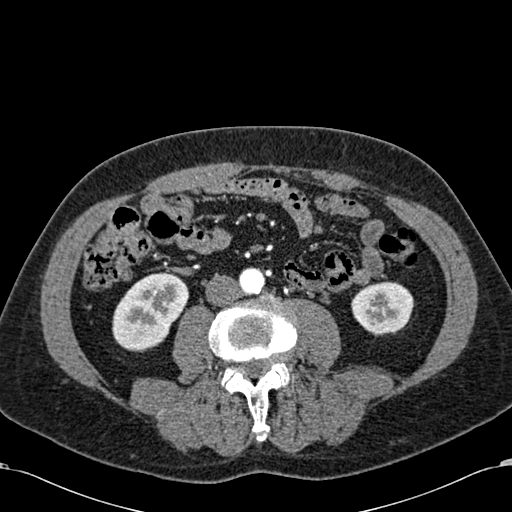
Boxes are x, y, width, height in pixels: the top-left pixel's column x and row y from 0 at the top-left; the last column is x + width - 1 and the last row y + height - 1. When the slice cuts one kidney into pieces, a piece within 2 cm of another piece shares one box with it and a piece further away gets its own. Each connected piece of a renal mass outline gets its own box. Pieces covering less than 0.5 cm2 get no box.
This is axial slice 242 of 581 (slice 1 is the lowest) of an arterial-phase abdominal CT with contrast; each pixel is 0.713 mm and the slice is 1.00 mm thick. Two boxes on this slice (two kidney boxes), listed by box centre from the image's left to its right. (1) Box x 112, y 271, width 78, height 82: right kidney (outlined area 4,313 px, about 21.9 cm2). (2) Left kidney, box x 351, y 281, width 64, height 54 (outlined area 2,638 px, about 13.4 cm2). No renal mass is outlined on this slice.
Acquired at 120 kVp and reconstructed with the B30f kernel.